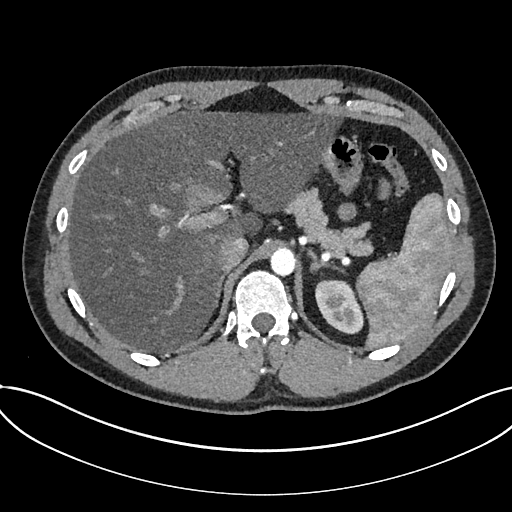
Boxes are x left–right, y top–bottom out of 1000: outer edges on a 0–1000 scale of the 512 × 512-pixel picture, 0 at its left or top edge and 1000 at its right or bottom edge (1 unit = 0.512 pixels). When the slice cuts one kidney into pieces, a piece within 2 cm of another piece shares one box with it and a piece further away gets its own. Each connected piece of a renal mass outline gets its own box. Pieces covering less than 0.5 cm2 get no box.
This is axial slice 568 of 735 (slice 1 is the lowest) of an arterial-phase abdominal CT with contrast; each pixel is 0.789 mm and the slice is 1.00 mm thick. Kidney, box x 615–711, y 545–654 out of 1000 (outlined area 1,967 px, about 12.2 cm2). No renal mass is outlined on this slice.
Acquired at 120 kVp and reconstructed with the I30f kernel.